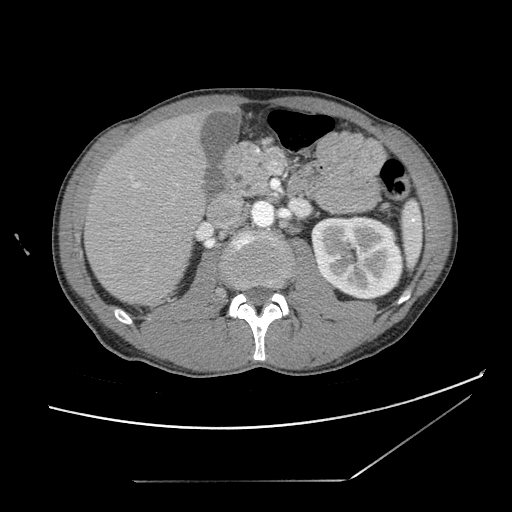
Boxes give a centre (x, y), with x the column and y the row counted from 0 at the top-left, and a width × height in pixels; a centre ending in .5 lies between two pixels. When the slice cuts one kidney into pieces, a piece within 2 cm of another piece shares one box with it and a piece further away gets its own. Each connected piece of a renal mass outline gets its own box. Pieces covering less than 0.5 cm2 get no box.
Slice 66/121 of a contrast-enhanced abdominal CT, counting up from the lowest; pixel size 0.742 mm, slice thickness 2.50 mm. Left kidney, box centre (356.5, 257.5), 92 × 86 pixels (outlined area 6,293 px, about 34.7 cm2). This slice carries no renal mass outline.
Scan settings: 120 kVp, STANDARD reconstruction kernel.